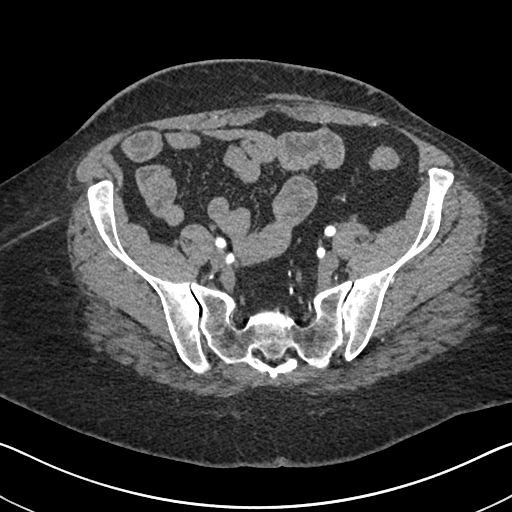
Abdominal CT with intravenous contrast, arterial phase, axial plane, 140 kVp, kernel I30f. Slice 106/591 from the bottom of the scan; thickness 1.00 mm; pixel size 0.703 mm.
Neither a kidney nor a renal mass is outlined here. Only kidneys and renal masses are outlined anywhere in this scan; other structures are never outlined.